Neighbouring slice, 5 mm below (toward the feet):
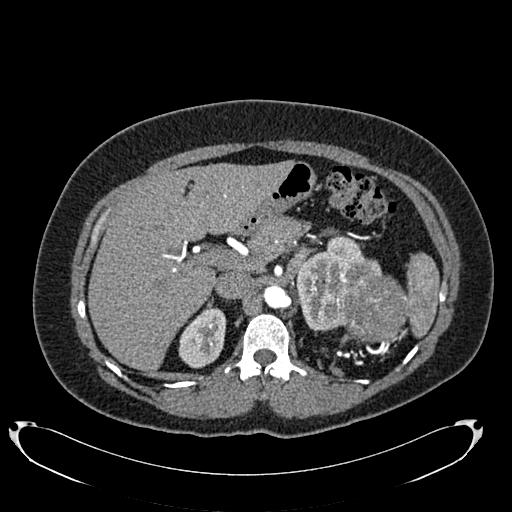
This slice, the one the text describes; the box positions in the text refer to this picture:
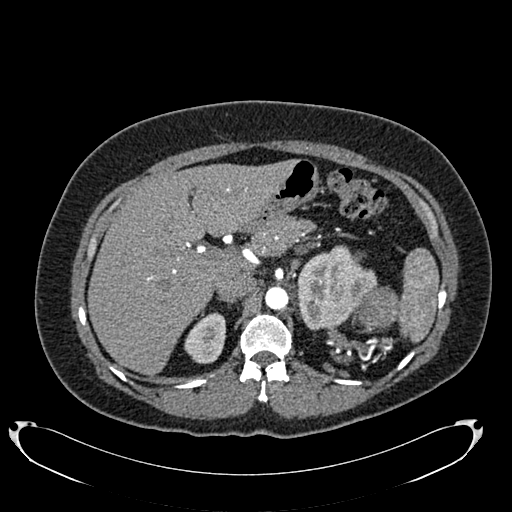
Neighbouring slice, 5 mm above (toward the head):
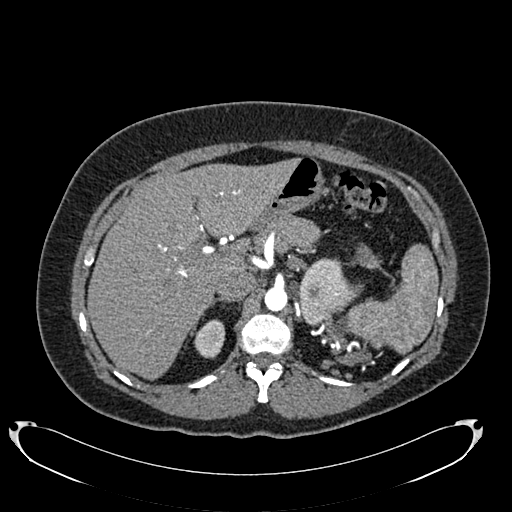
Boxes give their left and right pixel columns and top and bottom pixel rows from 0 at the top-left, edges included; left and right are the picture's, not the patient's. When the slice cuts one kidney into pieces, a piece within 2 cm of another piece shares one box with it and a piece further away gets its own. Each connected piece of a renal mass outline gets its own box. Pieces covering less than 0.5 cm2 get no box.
Slice 520/634 of a contrast-enhanced abdominal CT in the arterial phase, counting up from the lowest; pixel size 0.838 mm, slice thickness 1.00 mm. Boxed on this slice (two kidney boxes and one renal mass box), listed by box centre from the image's left to its right: (1) Right kidney in the box with left 184, top 312, right 226, bottom 363 (outlined area 1,609 px, about 11.3 cm2). (2) Box with left 297, top 245, right 376, bottom 329: left kidney (outlined area 4,398 px, about 30.9 cm2). (3) Left renal mass in the box with left 351, top 281, right 399, bottom 332 (outlined area 1,721 px, about 12.1 cm2). This slice is near the end of the left renal mass toward the head, so the slices 5 mm below and 5 mm above it are shown as well; the boxes refer to this slice only.
Scan settings: 120 kVp, B20f reconstruction kernel.